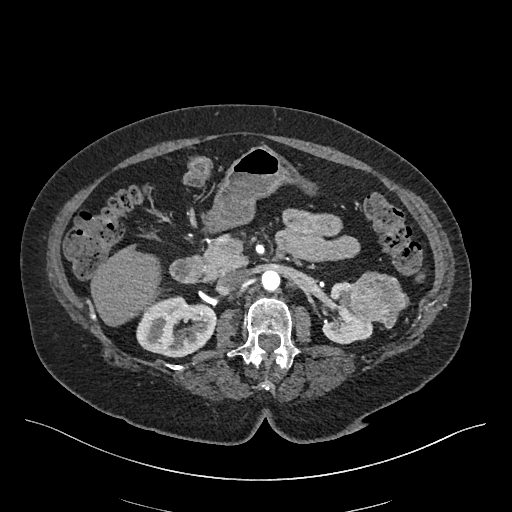
Abdominal CT with intravenous contrast, arterial phase, axial plane, 120 kVp, kernel I26f. Slice 265/548 from the bottom of the scan; thickness 1.00 mm; pixel size 0.852 mm.
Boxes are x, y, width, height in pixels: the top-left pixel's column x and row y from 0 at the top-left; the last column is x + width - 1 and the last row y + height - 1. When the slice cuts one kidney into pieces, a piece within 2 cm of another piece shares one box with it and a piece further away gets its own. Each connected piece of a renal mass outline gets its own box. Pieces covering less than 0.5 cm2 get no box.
Two kidney boxes and one renal mass box on this slice; by box centre, from the image's left to its right: (1) Box x 136, y 296, width 81, height 62: right kidney (outlined area 3,693 px, about 26.8 cm2). (2) Left kidney at x 322, y 281, width 52, height 64 (outlined area 1,918 px, about 13.9 cm2). (3) Left renal mass, box x 348, y 271, width 62, height 58 (outlined area 2,430 px, about 17.6 cm2).